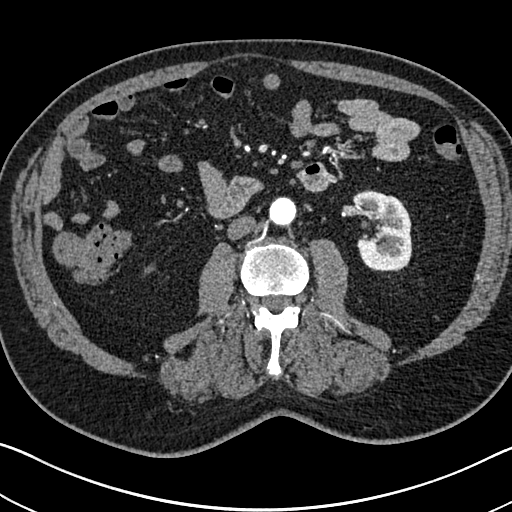
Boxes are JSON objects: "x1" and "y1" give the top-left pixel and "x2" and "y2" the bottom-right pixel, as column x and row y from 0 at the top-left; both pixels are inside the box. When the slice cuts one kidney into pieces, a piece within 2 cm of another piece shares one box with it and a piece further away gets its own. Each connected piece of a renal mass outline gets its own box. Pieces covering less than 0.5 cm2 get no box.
Arterial-phase contrast-enhanced abdominal CT, axial slice 345 of 705 (counted from the lowest slice); 1.00 mm thick, 0.703 mm per pixel. Box {"x1": 352, "y1": 189, "x2": 412, "y2": 271}: left kidney (outlined area 3,775 px, about 18.7 cm2). This slice carries no renal mass outline.
Tube voltage 120 kVp; convolution kernel I30f.